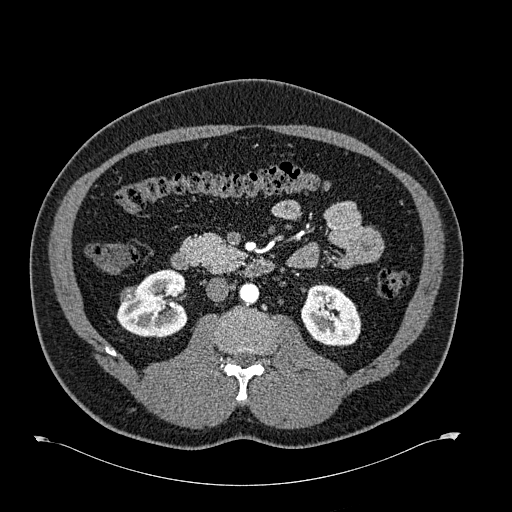
One axial slice (341 of 723, counting up from the lowest) of an arterial-phase abdominal CT acquired with 120 kVp, kernel B30f; each pixel is 0.895 mm and the slice is 1.00 mm thick.
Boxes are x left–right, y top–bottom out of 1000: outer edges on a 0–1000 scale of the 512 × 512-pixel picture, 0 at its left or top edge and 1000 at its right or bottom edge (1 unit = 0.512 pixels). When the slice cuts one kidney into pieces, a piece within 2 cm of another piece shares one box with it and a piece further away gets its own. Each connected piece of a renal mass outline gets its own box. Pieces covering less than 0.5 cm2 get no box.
Boxed on this slice (two kidney boxes and one renal mass box), listed by box centre from the image's left to its right: (1) Right renal mass at x 234–271, y 559–592 out of 1000 (outlined area 250 px, about 2.0 cm2). (2) Right kidney, box x 227–367, y 525–660 out of 1000 (outlined area 3,527 px, about 28.2 cm2). (3) Box x 588–705, y 553–678 out of 1000: left kidney (outlined area 2,894 px, about 23.2 cm2).